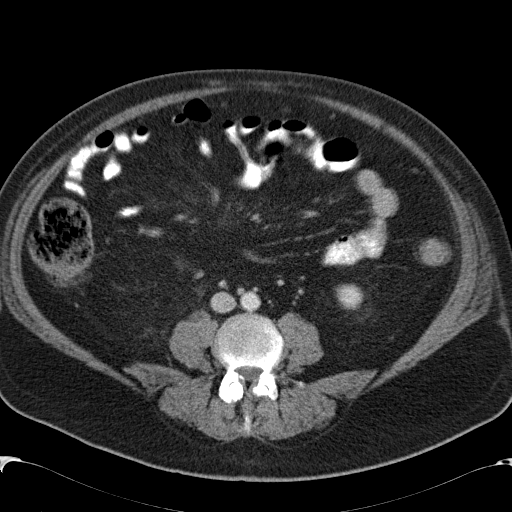
One axial slice (57 of 99, counting up from the lowest) of a contrast-enhanced abdominal CT acquired with 120 kVp, kernel B31f; each pixel is 0.742 mm and the slice is 5.00 mm thick.
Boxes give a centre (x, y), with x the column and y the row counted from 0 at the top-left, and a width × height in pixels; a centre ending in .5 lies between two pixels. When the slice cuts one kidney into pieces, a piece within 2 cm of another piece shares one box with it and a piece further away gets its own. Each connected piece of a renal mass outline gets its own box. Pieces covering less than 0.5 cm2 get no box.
Left kidney in a box with centre (349.5, 296.5), 28 × 26 pixels (outlined area 589 px, about 3.2 cm2). No renal mass outline on this slice.